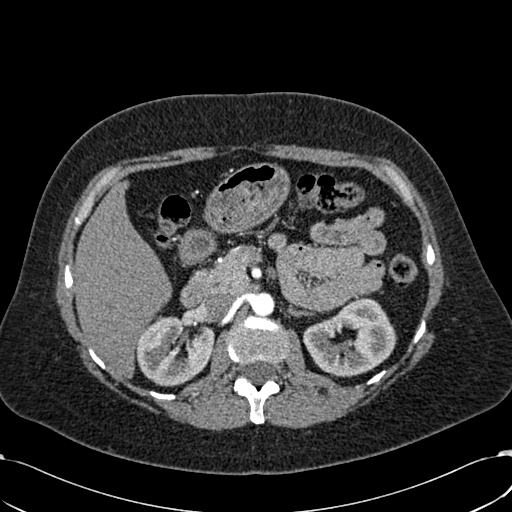
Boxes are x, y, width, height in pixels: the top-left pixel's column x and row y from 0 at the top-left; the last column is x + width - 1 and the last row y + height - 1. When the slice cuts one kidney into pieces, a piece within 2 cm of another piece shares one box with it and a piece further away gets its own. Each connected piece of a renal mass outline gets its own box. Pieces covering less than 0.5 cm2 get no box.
This is axial slice 394 of 532 (slice 1 is the lowest) of an arterial-phase abdominal CT with contrast; each pixel is 0.713 mm and the slice is 1.00 mm thick. Two kidney boxes on this slice; by box centre, from the image's left to its right: (1) Right kidney at x 135, y 316, width 80, height 71 (outlined area 4,146 px, about 21.1 cm2). (2) Left kidney, box x 303, y 297, width 94, height 80 (outlined area 4,941 px, about 25.1 cm2). No renal mass outline on this slice.
Tube voltage 120 kVp; convolution kernel B30f.